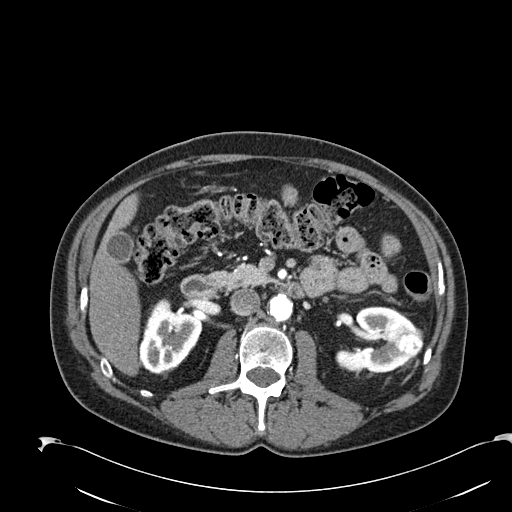
One axial slice (118 of 274, counting up from the lowest) of an arterial-phase abdominal CT acquired with 120 kVp, kernel B30f; each pixel is 0.809 mm and the slice is 2.00 mm thick.
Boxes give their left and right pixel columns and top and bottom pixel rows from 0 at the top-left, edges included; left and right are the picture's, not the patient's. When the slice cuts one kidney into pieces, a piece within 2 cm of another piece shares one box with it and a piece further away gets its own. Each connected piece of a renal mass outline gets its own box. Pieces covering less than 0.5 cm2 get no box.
Three boxes on this slice (two kidney boxes and one renal mass box), listed by box centre from the image's left to its right. (1) Box with left 141, top 299, right 202, bottom 373: right kidney (outlined area 3,198 px, about 20.9 cm2). (2) Box with left 335, top 306, right 422, bottom 373: left kidney (outlined area 3,377 px, about 22.1 cm2). (3) Box with left 393, top 329, right 423, bottom 358: left renal mass (outlined area 732 px, about 4.8 cm2).